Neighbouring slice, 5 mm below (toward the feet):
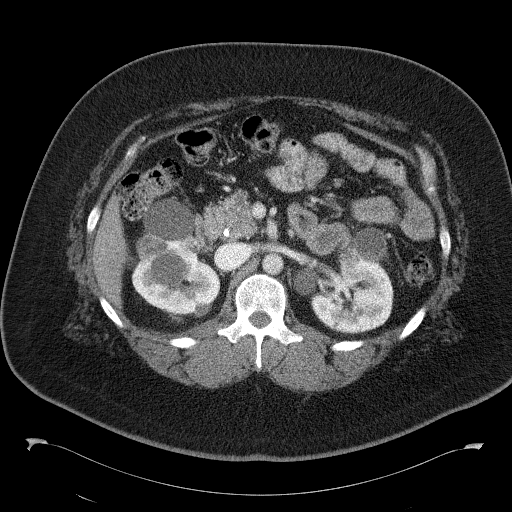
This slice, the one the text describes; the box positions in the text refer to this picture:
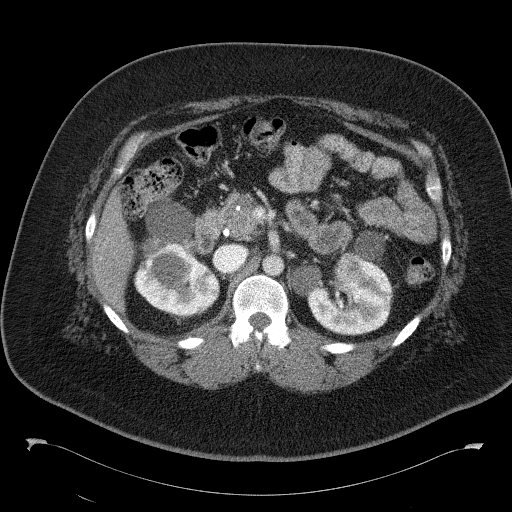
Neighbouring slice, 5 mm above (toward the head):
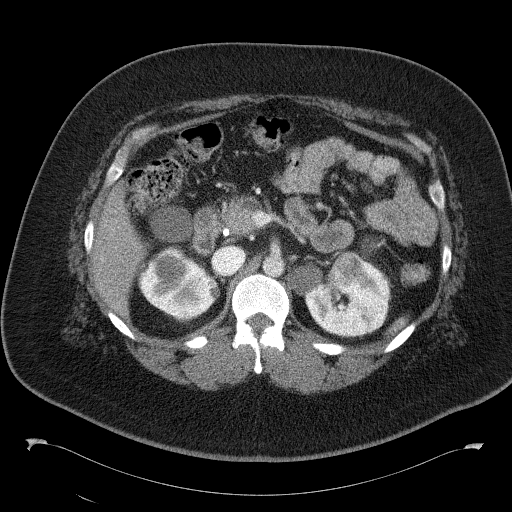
Contrast-enhanced abdominal CT, axial slice 82 of 146 (counted from the lowest slice); tube voltage 120 kVp, convolution kernel B41f; slices 5.00 mm thick, 0.840 mm per pixel.
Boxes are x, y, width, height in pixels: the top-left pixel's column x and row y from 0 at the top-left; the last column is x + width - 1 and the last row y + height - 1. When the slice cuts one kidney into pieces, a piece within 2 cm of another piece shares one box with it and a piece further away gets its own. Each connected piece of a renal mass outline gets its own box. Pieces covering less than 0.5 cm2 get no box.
Boxed on this slice (two kidney boxes and three renal mass boxes), listed by box centre from the image's left to its right: (1) Renal mass, box x 143, y 236, width 23, height 22 (outlined area 393 px, about 2.8 cm2). (2) Box x 133, y 199, width 87, height 118: kidney (outlined area 6,070 px, about 42.8 cm2). (3) Renal mass at x 181, y 237, width 17, height 21 (outlined area 258 px, about 1.8 cm2). (4) Box x 291, y 261, width 103, height 75: kidney (outlined area 4,842 px, about 34.2 cm2). (5) Renal mass at x 336, y 230, width 50, height 54 (outlined area 1,553 px, about 11.0 cm2). This slice is near the end of a renal mass toward the head, so the slices 5 mm below and 5 mm above it are shown as well; the boxes refer to this slice only.